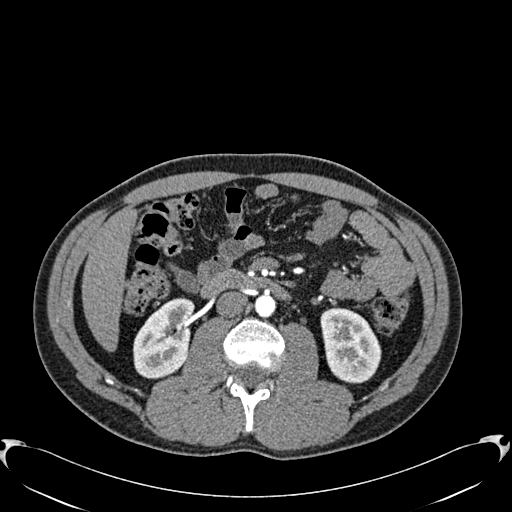
One axial slice (315 of 512, counting up from the lowest) of an arterial-phase abdominal CT acquired with 120 kVp, kernel B30f; each pixel is 0.771 mm and the slice is 1.00 mm thick.
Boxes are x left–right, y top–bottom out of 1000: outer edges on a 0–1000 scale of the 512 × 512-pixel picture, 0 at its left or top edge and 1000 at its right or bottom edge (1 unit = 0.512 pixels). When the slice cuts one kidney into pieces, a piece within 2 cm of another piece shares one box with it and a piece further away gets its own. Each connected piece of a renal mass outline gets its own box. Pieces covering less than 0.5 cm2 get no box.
Two boxes on this slice (two kidney boxes), listed by box centre from the image's left to its right. (1) Box x 260–381, y 582–740 out of 1000: right kidney (outlined area 3,621 px, about 21.6 cm2). (2) Left kidney, box x 625–746, y 598–750 out of 1000 (outlined area 3,552 px, about 21.1 cm2). No renal mass outline on this slice.